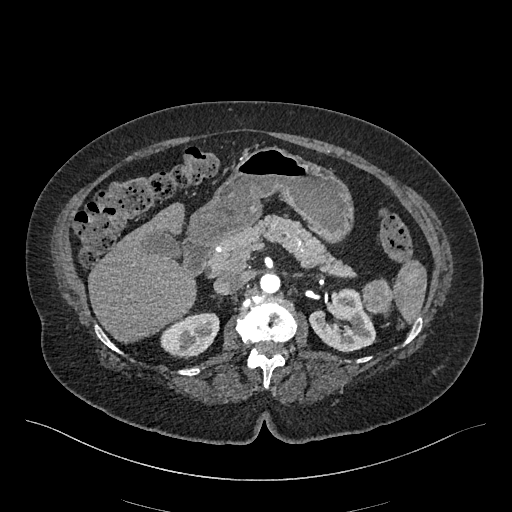
One axial slice (294 of 548, counting up from the lowest) of an arterial-phase abdominal CT acquired with 120 kVp, kernel I26f; each pixel is 0.852 mm and the slice is 1.00 mm thick.
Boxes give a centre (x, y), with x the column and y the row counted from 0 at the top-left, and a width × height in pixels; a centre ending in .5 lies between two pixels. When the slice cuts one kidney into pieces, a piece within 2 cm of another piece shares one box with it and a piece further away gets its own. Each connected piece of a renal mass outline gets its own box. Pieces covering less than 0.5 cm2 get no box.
Three boxes on this slice (two kidney boxes and one renal mass box), listed by box centre from the image's left to its right. (1) Box centre (189.5, 335.5), 60 × 48 pixels: right kidney (outlined area 1,980 px, about 14.4 cm2). (2) Left kidney in a box with centre (342, 320), 67 × 65 pixels (outlined area 2,887 px, about 20.9 cm2). (3) Box centre (377, 295.5), 33 × 36 pixels: left renal mass (outlined area 900 px, about 6.5 cm2).